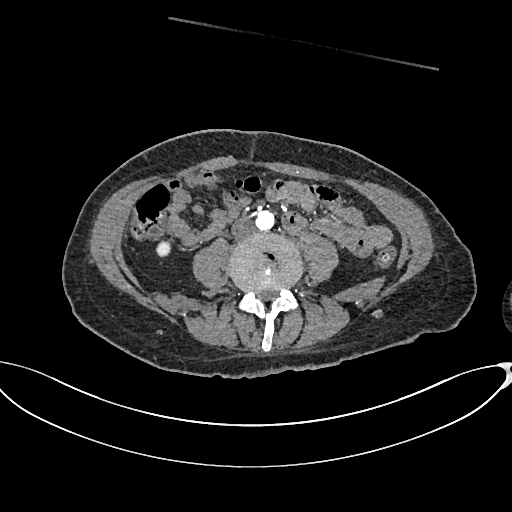
Abdominal CT with intravenous contrast, arterial phase, axial plane, 100 kVp, kernel I26f. Slice 267/665 from the bottom of the scan; thickness 1.00 mm; pixel size 0.828 mm.
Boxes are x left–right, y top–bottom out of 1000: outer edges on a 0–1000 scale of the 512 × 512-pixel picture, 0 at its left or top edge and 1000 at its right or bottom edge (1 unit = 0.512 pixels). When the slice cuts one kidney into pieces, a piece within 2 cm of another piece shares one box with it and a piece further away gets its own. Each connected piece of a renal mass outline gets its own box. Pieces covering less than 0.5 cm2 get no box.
Right kidney at x 307–336, y 469–504 out of 1000 (outlined area 210 px, about 1.4 cm2). No renal mass is outlined on this slice.